Axial slice 193 of 1059 of a contrast-enhanced abdominal CT in the arterial phase (slice 1 is the lowest), 100 kVp, kernel I30f; 1.00 mm slice thickness and 0.811 mm pixels.
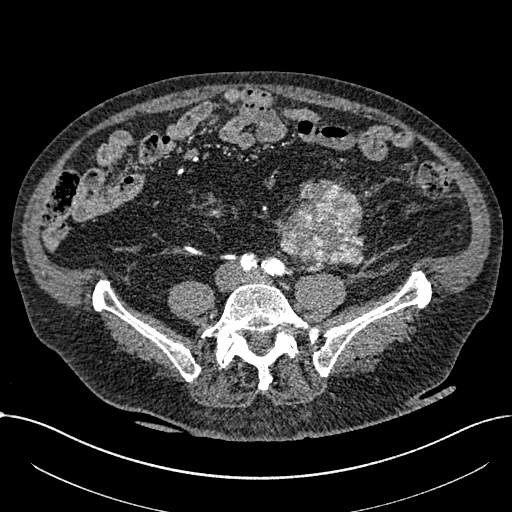
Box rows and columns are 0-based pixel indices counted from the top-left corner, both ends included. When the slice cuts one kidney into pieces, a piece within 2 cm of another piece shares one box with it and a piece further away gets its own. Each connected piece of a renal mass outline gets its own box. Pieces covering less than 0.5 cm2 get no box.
Two boxes on this slice (one kidney box and one renal mass box), listed by box centre from the image's left to its right. (1) Right part of the midline-crossing kidney, box rows 208–217, columns 210–222 (outlined area 91 px, about 0.6 cm2). (2) Renal mass, box rows 179–266, columns 276–364 (outlined area 5,635 px, about 37.0 cm2); it sits over 1 cm from every kidney outline on this slice, but the same outlined renal mass comes within 1 cm of the kidney on another slice.